Abdominal CT with intravenous contrast, axial plane, 140 kVp, kernel I30f. Slice 521/834 from the bottom of the scan; thickness 1.00 mm; pixel size 0.977 mm.
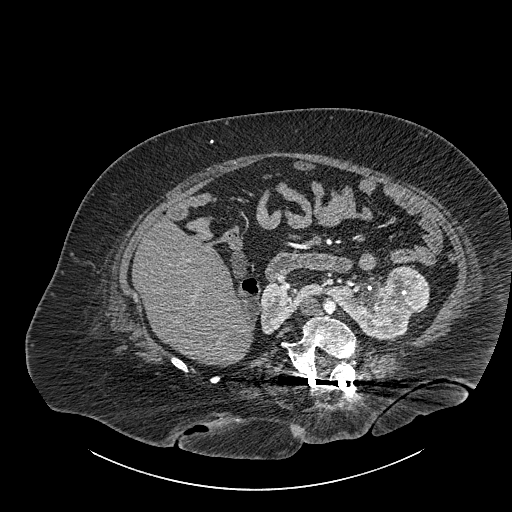
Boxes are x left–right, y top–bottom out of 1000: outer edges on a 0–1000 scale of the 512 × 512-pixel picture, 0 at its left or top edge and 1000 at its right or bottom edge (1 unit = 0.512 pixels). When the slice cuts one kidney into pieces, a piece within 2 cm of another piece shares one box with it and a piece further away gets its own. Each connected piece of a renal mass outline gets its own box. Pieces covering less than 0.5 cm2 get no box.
One kidney box and one renal mass box on this slice; by box centre, from the image's left to its right: (1) Box x 508–803, y 551–666 out of 1000: kidney crossing the body midline (outlined area 4,585 px, about 43.7 cm2). (2) Box x 750–840, y 520–615 out of 1000: renal mass (outlined area 1,811 px, about 17.3 cm2).